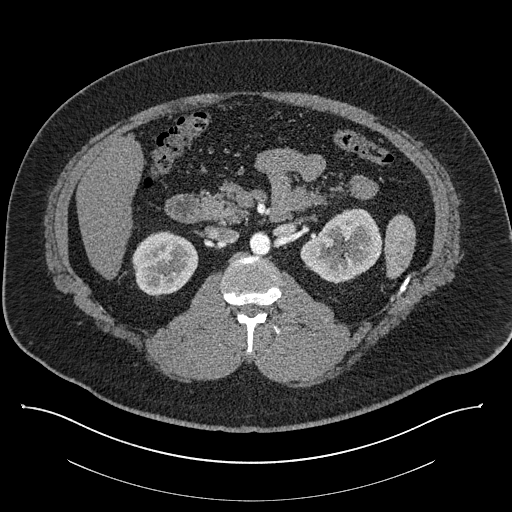
Abdominal CT with intravenous contrast, axial plane, 140 kVp, kernel I30f. Slice 507/787 from the bottom of the scan; thickness 1.00 mm; pixel size 0.910 mm.
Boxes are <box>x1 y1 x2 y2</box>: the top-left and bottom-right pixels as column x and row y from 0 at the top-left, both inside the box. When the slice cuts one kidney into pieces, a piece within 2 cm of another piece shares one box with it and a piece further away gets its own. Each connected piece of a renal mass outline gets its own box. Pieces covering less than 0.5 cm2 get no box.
Boxed on this slice (two kidney boxes), listed by box centre from the image's left to its right: (1) Right kidney at <box>131 231 198 296</box> (outlined area 3,335 px, about 27.6 cm2). (2) Left kidney at <box>300 208 382 284</box> (outlined area 4,313 px, about 35.7 cm2). This slice carries no renal mass outline.